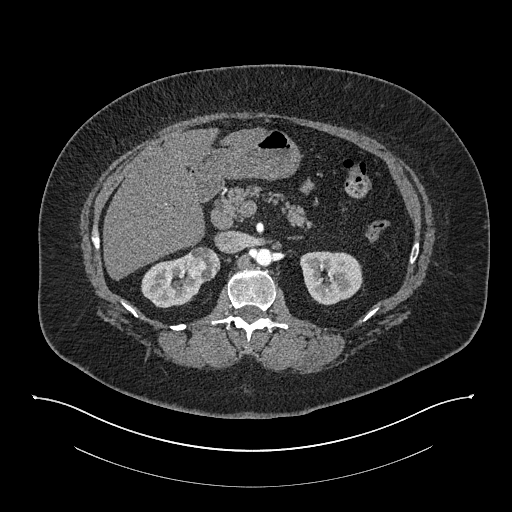
One axial slice (517 of 673, counting up from the lowest) of an arterial-phase abdominal CT acquired with 140 kVp, kernel I30f; each pixel is 0.957 mm and the slice is 1.00 mm thick.
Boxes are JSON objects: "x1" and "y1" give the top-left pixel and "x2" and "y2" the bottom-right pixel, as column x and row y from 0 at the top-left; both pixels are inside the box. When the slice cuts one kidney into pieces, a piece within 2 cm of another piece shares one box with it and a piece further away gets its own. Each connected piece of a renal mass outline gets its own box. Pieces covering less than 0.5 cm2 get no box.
Three boxes on this slice (two kidney boxes and one renal mass box), listed by box centre from the image's left to its right. (1) Box {"x1": 141, "y1": 254, "x2": 203, "y2": 308}: right kidney (outlined area 2,182 px, about 20.0 cm2). (2) Right renal mass, box {"x1": 187, "y1": 246, "x2": 220, "y2": 282} (outlined area 953 px, about 8.7 cm2). (3) Left kidney, box {"x1": 300, "y1": 251, "x2": 362, "y2": 305} (outlined area 2,694 px, about 24.7 cm2).